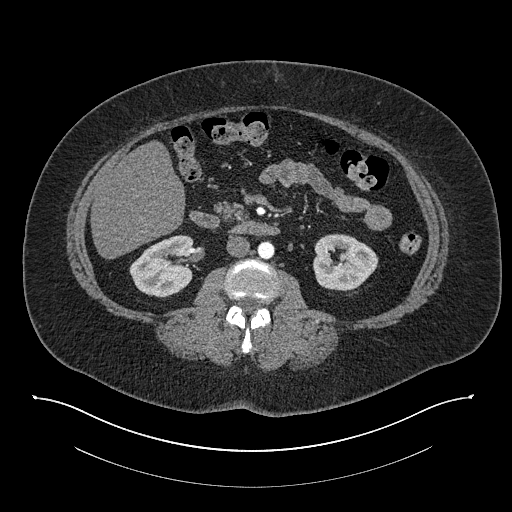
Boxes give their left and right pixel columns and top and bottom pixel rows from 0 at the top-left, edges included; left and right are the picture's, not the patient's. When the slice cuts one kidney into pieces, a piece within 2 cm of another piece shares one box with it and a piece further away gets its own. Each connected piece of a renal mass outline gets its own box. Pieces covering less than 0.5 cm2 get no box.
Slice 420/673 of a contrast-enhanced abdominal CT in the arterial phase, counting up from the lowest; pixel size 0.957 mm, slice thickness 1.00 mm. Two boxes on this slice (two kidney boxes), listed by box centre from the image's left to its right. (1) Box with left 129, top 235, right 194, bottom 297: right kidney (outlined area 3,031 px, about 27.8 cm2). (2) Box with left 313, top 233, right 378, bottom 291: left kidney (outlined area 2,874 px, about 26.3 cm2). This slice carries no renal mass outline.
Acquired at 140 kVp and reconstructed with the I30f kernel.